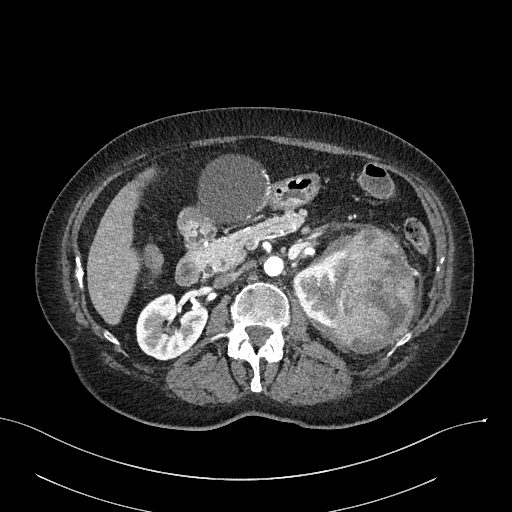
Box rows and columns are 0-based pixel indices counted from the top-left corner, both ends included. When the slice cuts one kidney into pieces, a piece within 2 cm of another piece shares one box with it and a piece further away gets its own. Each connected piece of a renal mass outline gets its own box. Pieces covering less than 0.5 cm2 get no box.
Arterial-phase contrast-enhanced abdominal CT, axial slice 143 of 316 (counted from the lowest slice); 2.00 mm thick, 0.840 mm per pixel. Three boxes on this slice (two kidney boxes and one renal mass box), listed by box centre from the image's left to its right. (1) Right kidney, box rows 292–360, columns 135–207 (outlined area 3,509 px, about 24.8 cm2). (2) Left kidney, box rows 255–327, columns 292–346 (outlined area 2,639 px, about 18.6 cm2). (3) Left renal mass, box rows 224–353, columns 316–415 (outlined area 8,360 px, about 59.0 cm2).
Scan settings: 100 kVp, I40f reconstruction kernel.